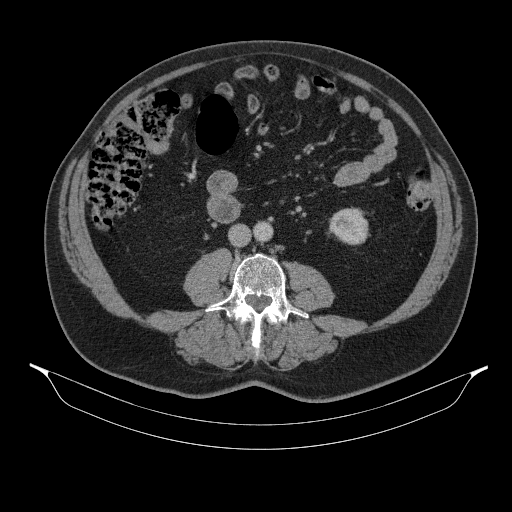
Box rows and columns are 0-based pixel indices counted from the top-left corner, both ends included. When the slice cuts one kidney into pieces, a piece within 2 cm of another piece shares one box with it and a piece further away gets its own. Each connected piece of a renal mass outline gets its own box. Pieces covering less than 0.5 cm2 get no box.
Contrast-enhanced abdominal CT, axial slice 164 of 314 (counted from the lowest slice); 2.50 mm thick, 0.934 mm per pixel. Box rows 207–245, columns 329–368: left kidney (outlined area 1,166 px, about 10.2 cm2). No renal mass is outlined on this slice.
Tube voltage 130 kVp; convolution kernel B31s.